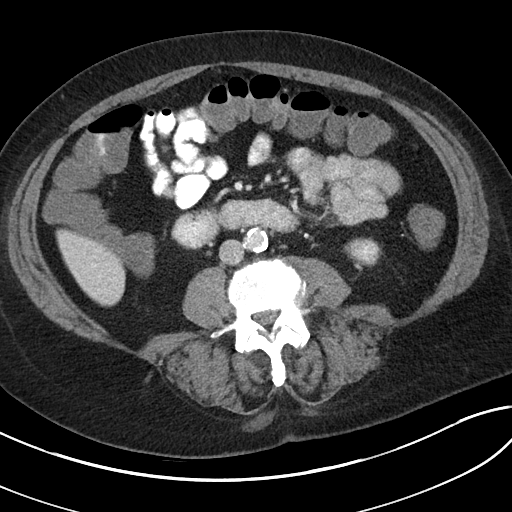
Contrast-enhanced abdominal CT, axial slice 48 of 80 (counted from the lowest slice); tube voltage 100 kVp, convolution kernel I40f; slices 5.00 mm thick, 0.703 mm per pixel.
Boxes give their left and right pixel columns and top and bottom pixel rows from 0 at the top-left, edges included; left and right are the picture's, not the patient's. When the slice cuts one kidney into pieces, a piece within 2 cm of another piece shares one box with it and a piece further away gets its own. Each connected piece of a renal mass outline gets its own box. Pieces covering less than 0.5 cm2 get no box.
Left kidney, the box with left 344, top 237, right 382, bottom 266 (outlined area 811 px, about 4.0 cm2). No renal mass is outlined on this slice.